Abdominal CT with intravenous contrast, arterial phase, axial plane, 100 kVp, kernel I30f. Slice 120/325 from the bottom of the scan; thickness 1.00 mm; pixel size 0.703 mm.
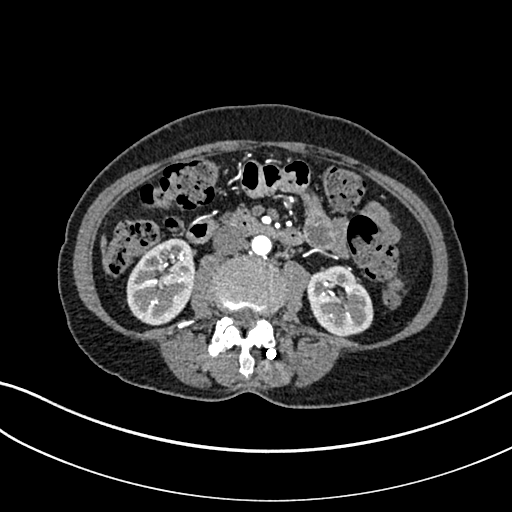
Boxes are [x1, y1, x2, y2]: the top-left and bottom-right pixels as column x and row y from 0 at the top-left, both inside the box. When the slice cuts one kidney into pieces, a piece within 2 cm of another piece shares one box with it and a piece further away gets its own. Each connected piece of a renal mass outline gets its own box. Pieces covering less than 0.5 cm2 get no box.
Two kidney boxes on this slice; by box centre, from the image's left to its right: (1) Box [126, 237, 194, 325]: right kidney (outlined area 4,580 px, about 22.6 cm2). (2) Box [306, 265, 373, 336]: left kidney (outlined area 3,537 px, about 17.5 cm2). This slice carries no renal mass outline.